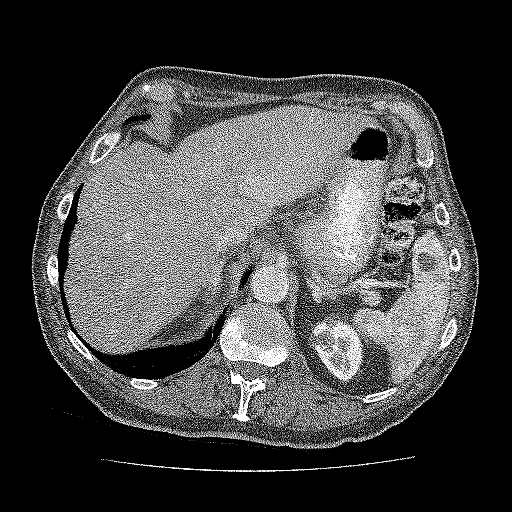
One axial slice (115 of 137, counting up from the lowest) of a contrast-enhanced abdominal CT acquired with 120 kVp, kernel FC52; each pixel is 0.741 mm and the slice is 3.00 mm thick.
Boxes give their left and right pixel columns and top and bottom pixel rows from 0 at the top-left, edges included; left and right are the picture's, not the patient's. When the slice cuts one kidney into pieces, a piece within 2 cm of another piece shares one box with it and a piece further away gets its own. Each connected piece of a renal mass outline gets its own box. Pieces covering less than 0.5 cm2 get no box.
Kidney, the box with left 310, top 316, right 364, bottom 382 (outlined area 2,533 px, about 13.9 cm2). No renal mass outline on this slice.